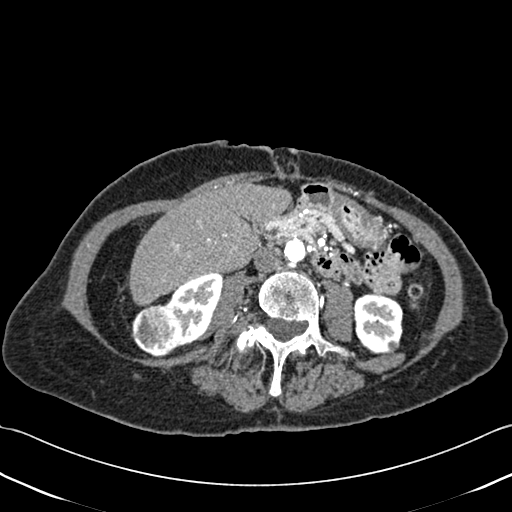
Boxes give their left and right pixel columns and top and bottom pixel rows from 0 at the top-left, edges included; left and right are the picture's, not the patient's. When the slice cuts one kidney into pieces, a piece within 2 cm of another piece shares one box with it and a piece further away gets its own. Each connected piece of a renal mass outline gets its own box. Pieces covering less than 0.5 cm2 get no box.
Contrast-enhanced abdominal CT, axial slice 191 of 433 (counted from the lowest slice); 1.00 mm thick, 0.672 mm per pixel. Two kidney boxes and one renal mass box on this slice; by box centre, from the image's left to its right: (1) Box with left 131, top 304, right 179, bottom 357: right renal mass (outlined area 1,977 px, about 8.9 cm2). (2) Box with left 164, top 273, right 222, bottom 347: right kidney (outlined area 2,605 px, about 11.8 cm2). (3) Left kidney, the box with left 353, top 293, right 403, bottom 354 (outlined area 2,527 px, about 11.4 cm2).
Acquired at 120 kVp and reconstructed with the B30f kernel.